Abdominal CT with intravenous contrast, arterial phase, axial plane, 120 kVp, kernel I30f. Slice 416/612 from the bottom of the scan; thickness 1.00 mm; pixel size 0.703 mm.
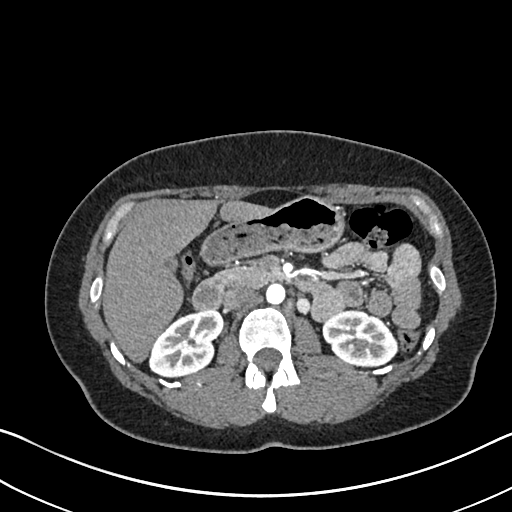
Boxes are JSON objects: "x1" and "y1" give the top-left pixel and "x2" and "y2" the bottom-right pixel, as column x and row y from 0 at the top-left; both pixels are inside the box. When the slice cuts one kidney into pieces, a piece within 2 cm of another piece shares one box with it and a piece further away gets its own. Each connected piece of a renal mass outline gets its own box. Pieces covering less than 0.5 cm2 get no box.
Boxed on this slice (two kidney boxes), listed by box centre from the image's left to its right: (1) Right kidney at {"x1": 148, "y1": 309, "x2": 224, "y2": 377} (outlined area 3,621 px, about 17.9 cm2). (2) Left kidney, box {"x1": 322, "y1": 309, "x2": 397, "y2": 367} (outlined area 3,283 px, about 16.2 cm2). This slice carries no renal mass outline.